Contrast-enhanced abdominal CT, axial slice 146 of 301 (counted from the lowest slice); tube voltage 120 kVp, convolution kernel I40f; slices 2.00 mm thick, 0.859 mm per pixel.
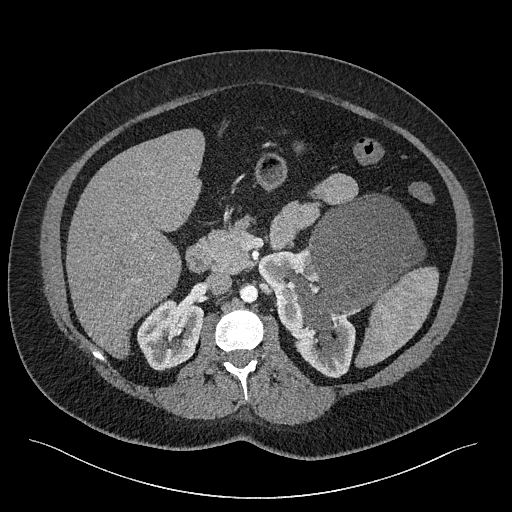
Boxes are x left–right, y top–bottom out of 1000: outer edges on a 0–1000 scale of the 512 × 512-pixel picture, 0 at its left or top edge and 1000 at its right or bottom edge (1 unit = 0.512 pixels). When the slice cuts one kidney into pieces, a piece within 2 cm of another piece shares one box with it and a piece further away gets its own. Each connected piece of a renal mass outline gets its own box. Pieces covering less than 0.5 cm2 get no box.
Boxed on this slice (two kidney boxes and one renal mass box), listed by box centre from the image's left to its right: (1) Right kidney at x 268–398, y 582–727 out of 1000 (outlined area 3,530 px, about 26.1 cm2). (2) Left kidney, box x 504–695, y 484–738 out of 1000 (outlined area 4,937 px, about 36.5 cm2). (3) Left renal mass at x 557–832, y 379–660 out of 1000 (outlined area 11,352 px, about 83.8 cm2).